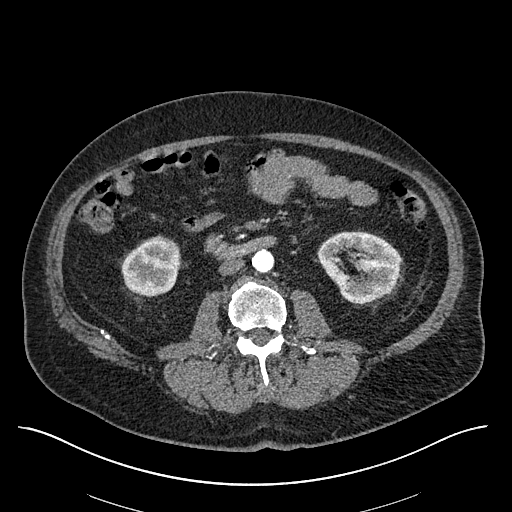
Abdominal CT with intravenous contrast, arterial phase, axial plane, 120 kVp, kernel I30f. Slice 274/670 from the bottom of the scan; thickness 1.00 mm; pixel size 0.861 mm.
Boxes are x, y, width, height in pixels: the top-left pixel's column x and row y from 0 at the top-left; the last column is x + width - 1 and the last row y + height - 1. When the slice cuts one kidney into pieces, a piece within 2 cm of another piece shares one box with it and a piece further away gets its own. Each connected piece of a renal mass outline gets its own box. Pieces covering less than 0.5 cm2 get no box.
Two kidney boxes on this slice; by box centre, from the image's left to its right: (1) Right kidney, box x 121, y 236, width 59, height 61 (outlined area 2,803 px, about 20.8 cm2). (2) Left kidney at x 317, y 231, width 85, height 73 (outlined area 4,331 px, about 32.1 cm2). No renal mass outline on this slice.